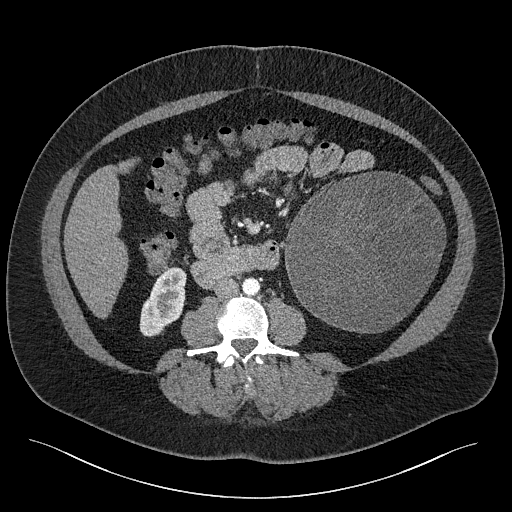
Axial slice 96 of 301 of a contrast-enhanced abdominal CT (slice 1 is the lowest), 120 kVp, kernel I40f; 2.00 mm slice thickness and 0.859 mm pixels.
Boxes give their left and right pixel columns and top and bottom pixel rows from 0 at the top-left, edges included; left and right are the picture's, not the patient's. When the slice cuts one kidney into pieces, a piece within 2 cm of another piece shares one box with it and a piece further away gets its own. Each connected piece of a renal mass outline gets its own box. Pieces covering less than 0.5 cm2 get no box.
Boxed on this slice (one kidney box and one renal mass box), listed by box centre from the image's left to its right: (1) Right kidney in the box with left 139, top 266, right 186, bottom 336 (outlined area 2,244 px, about 16.6 cm2). (2) Box with left 283, top 171, right 445, bottom 333: left renal mass (outlined area 19,998 px, about 147.7 cm2); it sits over 1 cm from every kidney outline on this slice, but the same outlined renal mass comes within 1 cm of the kidney on another slice.